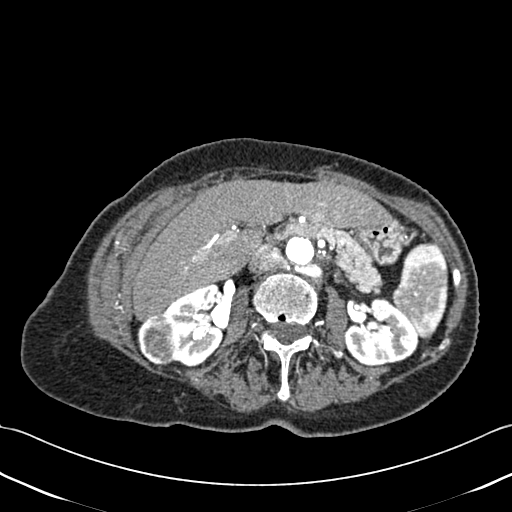
Abdominal CT with intravenous contrast, axial plane, 120 kVp, kernel B30f. Slice 246/433 from the bottom of the scan; thickness 1.00 mm; pixel size 0.672 mm.
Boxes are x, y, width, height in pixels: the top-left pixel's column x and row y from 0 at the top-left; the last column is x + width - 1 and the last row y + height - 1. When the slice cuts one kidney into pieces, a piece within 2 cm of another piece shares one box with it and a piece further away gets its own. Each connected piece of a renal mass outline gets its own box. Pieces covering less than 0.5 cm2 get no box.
Boxed on this slice (two kidney boxes and one renal mass box), listed by box centre from the image's left to its right: (1) Right renal mass at x 137, y 313, width 43, height 53 (outlined area 1,778 px, about 8.0 cm2). (2) Right kidney, box x 163, y 284, width 62, height 84 (outlined area 3,276 px, about 14.8 cm2). (3) Left kidney at x 345, y 298, width 74, height 69 (outlined area 3,677 px, about 16.6 cm2).